Axial slice 328 of 673 of a contrast-enhanced abdominal CT in the arterial phase (slice 1 is the lowest), 140 kVp, kernel I30f; 1.00 mm slice thickness and 0.957 mm pixels.
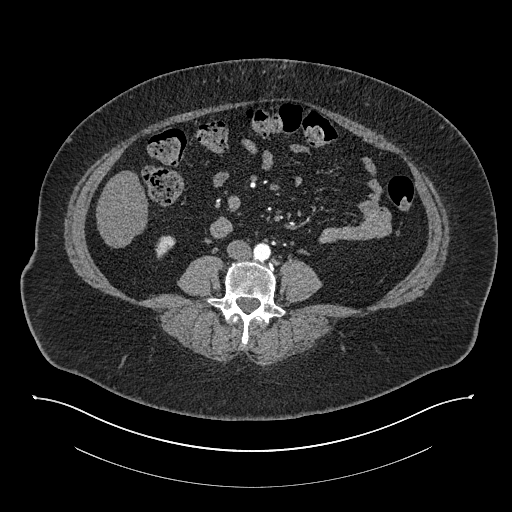
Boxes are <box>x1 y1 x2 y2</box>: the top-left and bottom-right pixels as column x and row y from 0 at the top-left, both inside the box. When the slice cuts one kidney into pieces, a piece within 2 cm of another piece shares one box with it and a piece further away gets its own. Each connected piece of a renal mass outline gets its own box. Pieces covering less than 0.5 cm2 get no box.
Right kidney at <box>155 235 175 258</box> (outlined area 313 px, about 2.9 cm2). This slice carries no renal mass outline.